Axial slice 439 of 705 of a contrast-enhanced abdominal CT in the arterial phase (slice 1 is the lowest), 120 kVp, kernel I30f; 1.00 mm slice thickness and 0.703 mm pixels.
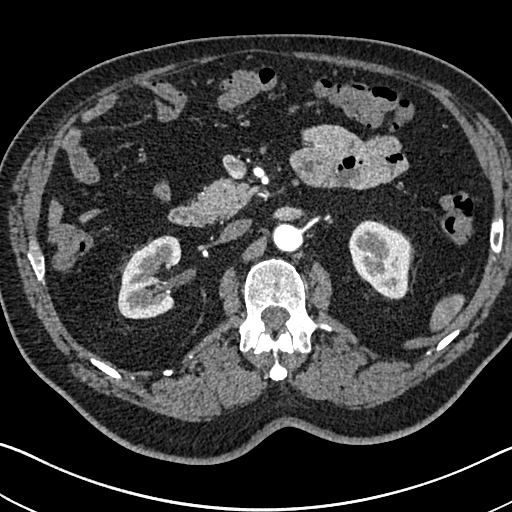
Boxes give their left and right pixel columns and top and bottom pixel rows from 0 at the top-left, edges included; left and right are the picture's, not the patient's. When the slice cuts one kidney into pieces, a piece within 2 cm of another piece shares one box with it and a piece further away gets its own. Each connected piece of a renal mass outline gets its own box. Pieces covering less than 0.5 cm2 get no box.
Two boxes on this slice (two kidney boxes), listed by box centre from the image's left to its right. (1) Right kidney, the box with left 117, top 235, right 181, bottom 319 (outlined area 3,852 px, about 19.0 cm2). (2) Box with left 348, top 220, right 412, bottom 298: left kidney (outlined area 3,757 px, about 18.6 cm2). No renal mass is outlined on this slice.